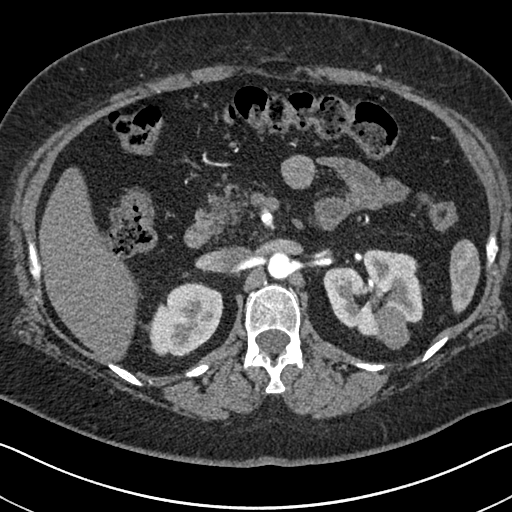
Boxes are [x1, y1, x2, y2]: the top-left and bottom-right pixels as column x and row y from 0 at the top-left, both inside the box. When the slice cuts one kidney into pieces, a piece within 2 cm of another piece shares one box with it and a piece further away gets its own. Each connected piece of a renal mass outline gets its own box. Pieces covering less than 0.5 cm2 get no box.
Slice 442/591 of a contrast-enhanced abdominal CT in the arterial phase, counting up from the lowest; pixel size 0.703 mm, slice thickness 1.00 mm. Two kidney boxes and one renal mass box on this slice; by box centre, from the image's left to its right: (1) Right kidney at [144, 282, 223, 356] (outlined area 4,151 px, about 20.5 cm2). (2) Left kidney, box [323, 249, 423, 340] (outlined area 5,698 px, about 28.2 cm2). (3) Left renal mass, box [375, 305, 409, 349] (outlined area 1,157 px, about 5.7 cm2).
Acquired at 140 kVp and reconstructed with the I30f kernel.